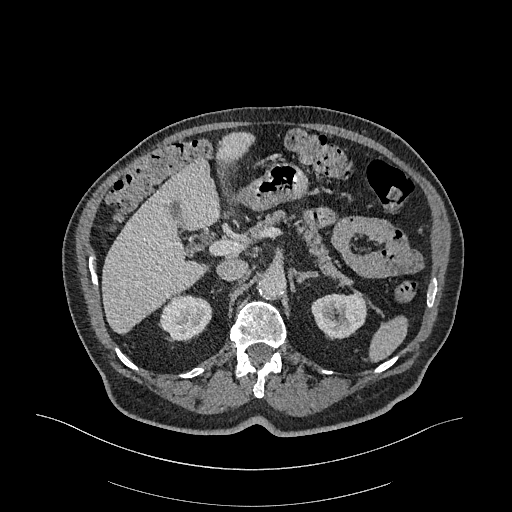
Abdominal CT with intravenous contrast, arterial phase, axial plane, 120 kVp, kernel I26f. Slice 227/470 from the bottom of the scan; thickness 1.00 mm; pixel size 0.938 mm.
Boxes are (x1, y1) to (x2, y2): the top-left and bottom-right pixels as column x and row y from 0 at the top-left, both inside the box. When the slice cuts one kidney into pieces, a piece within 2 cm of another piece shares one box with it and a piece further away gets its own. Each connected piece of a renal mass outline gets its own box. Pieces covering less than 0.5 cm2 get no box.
Two kidney boxes on this slice; by box centre, from the image's left to its right: (1) Right kidney, box (160, 294) to (212, 340) (outlined area 1,870 px, about 16.4 cm2). (2) Left kidney, box (311, 293) to (366, 339) (outlined area 2,024 px, about 17.8 cm2). No renal mass outline on this slice.